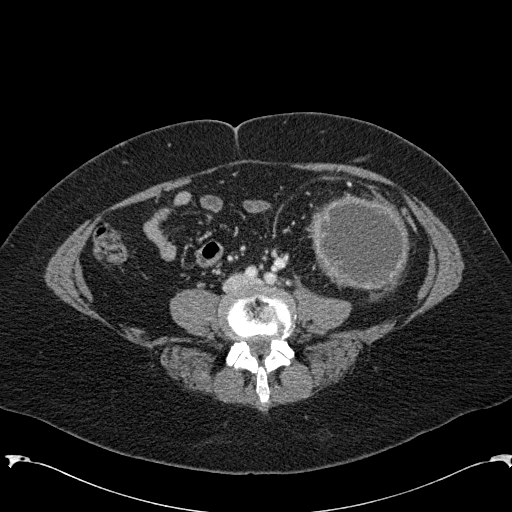
One axial slice (32 of 285, counting up from the lowest) of an arterial-phase abdominal CT acquired with 120 kVp, kernel B31f; each pixel is 0.762 mm and the slice is 2.00 mm thick.
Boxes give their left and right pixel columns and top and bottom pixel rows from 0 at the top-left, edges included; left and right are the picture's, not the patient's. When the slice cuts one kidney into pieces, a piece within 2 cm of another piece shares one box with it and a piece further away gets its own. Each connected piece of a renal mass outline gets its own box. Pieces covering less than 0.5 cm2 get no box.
Box with left 308, top 194, right 409, bottom 291: left renal mass (outlined area 7,665 px, about 44.5 cm2); no kidney outline appears on this slice, but the same outlined renal mass comes within 1 cm of the kidney on another slice.